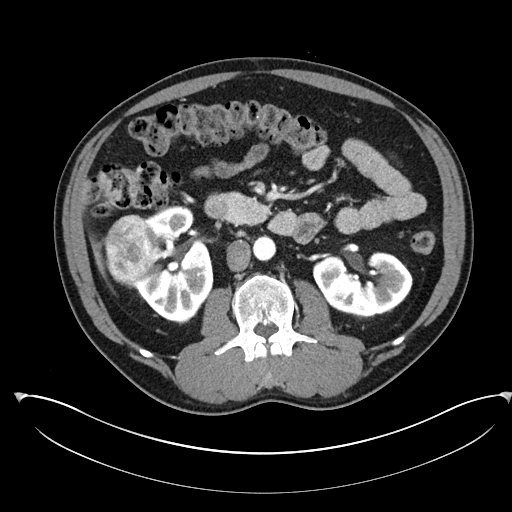
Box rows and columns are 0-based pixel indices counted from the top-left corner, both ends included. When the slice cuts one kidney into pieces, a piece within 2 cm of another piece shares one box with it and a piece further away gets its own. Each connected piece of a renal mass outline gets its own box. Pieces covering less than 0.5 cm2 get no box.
This is axial slice 134 of 302 (slice 1 is the lowest) of an arterial-phase abdominal CT with contrast; each pixel is 0.875 mm and the slice is 5.00 mm thick. Boxed on this slice (two kidney boxes and one renal mass box), listed by box centre from the image's left to its right: (1) Right renal mass, box rows 214–288, columns 105–154 (outlined area 2,866 px, about 21.9 cm2). (2) Box rows 206–323, columns 134–213: right kidney (outlined area 6,064 px, about 46.4 cm2). (3) Box rows 251–317, columns 312–412: left kidney (outlined area 4,937 px, about 37.8 cm2).
Scan settings: 100 kVp, I30f reconstruction kernel.